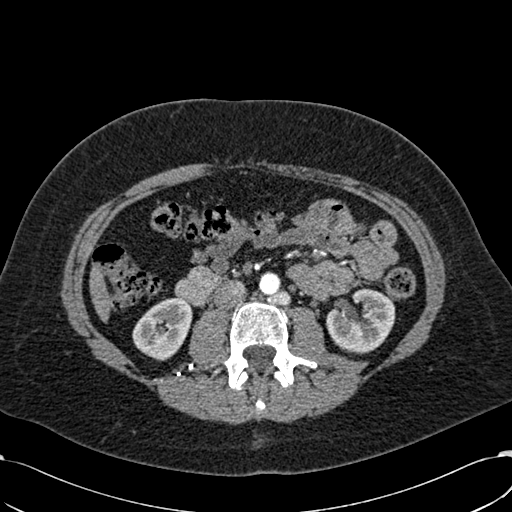
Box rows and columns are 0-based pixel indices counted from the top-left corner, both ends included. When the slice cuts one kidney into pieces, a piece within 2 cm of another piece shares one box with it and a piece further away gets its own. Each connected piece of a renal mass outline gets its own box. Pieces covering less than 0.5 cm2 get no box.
This is axial slice 303 of 532 (slice 1 is the lowest) of an arterial-phase abdominal CT with contrast; each pixel is 0.713 mm and the slice is 1.00 mm thick. Two boxes on this slice (two kidney boxes), listed by box centre from the image's left to its right. (1) Right kidney, box rows 297–360, columns 132–192 (outlined area 2,732 px, about 13.9 cm2). (2) Left kidney, box rows 288–354, columns 326–395 (outlined area 3,306 px, about 16.8 cm2). This slice carries no renal mass outline.
Tube voltage 120 kVp; convolution kernel B30f.